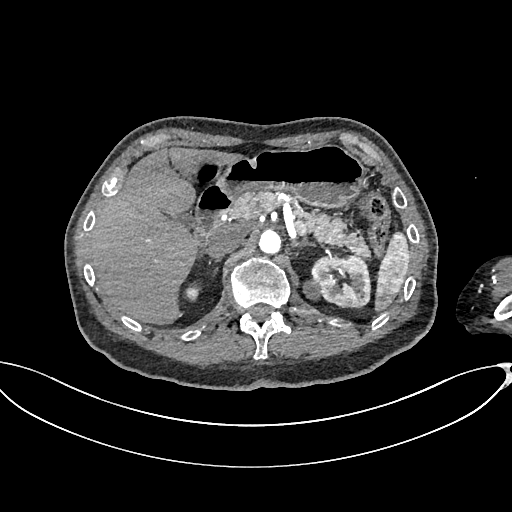
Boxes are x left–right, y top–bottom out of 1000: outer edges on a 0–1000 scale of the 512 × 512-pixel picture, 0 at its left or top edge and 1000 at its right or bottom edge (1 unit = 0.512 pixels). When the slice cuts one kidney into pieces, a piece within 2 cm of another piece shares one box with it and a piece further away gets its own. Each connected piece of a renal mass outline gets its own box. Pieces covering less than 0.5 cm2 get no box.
Slice 461/665 of a contrast-enhanced abdominal CT in the arterial phase, counting up from the lowest; pixel size 0.828 mm, slice thickness 1.00 mm. Two kidney boxes and one renal mass box on this slice; by box centre, from the image's left to its right: (1) Right kidney, box x 357–395, y 549–590 out of 1000 (outlined area 241 px, about 1.7 cm2). (2) Box x 592–629, y 545–586 out of 1000: left renal mass (outlined area 295 px, about 2.0 cm2). (3) Left kidney at x 607–725, y 498–604 out of 1000 (outlined area 2,546 px, about 17.5 cm2).
Scan settings: 100 kVp, I26f reconstruction kernel.